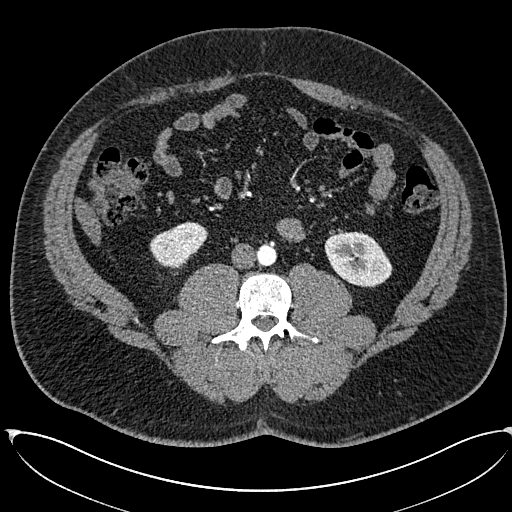
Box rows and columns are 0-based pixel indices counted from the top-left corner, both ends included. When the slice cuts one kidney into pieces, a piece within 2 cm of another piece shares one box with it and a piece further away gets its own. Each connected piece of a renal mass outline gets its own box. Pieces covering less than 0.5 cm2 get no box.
Arterial-phase contrast-enhanced abdominal CT, axial slice 257 of 673 (counted from the lowest slice); 1.00 mm thick, 0.855 mm per pixel. Two boxes on this slice (two kidney boxes), listed by box centre from the image's left to its right. (1) Box rows 221–268, columns 149–208: right kidney (outlined area 1,876 px, about 13.7 cm2). (2) Box rows 231–287, columns 324–392: left kidney (outlined area 2,808 px, about 20.5 cm2). No renal mass outline on this slice.
Tube voltage 120 kVp; convolution kernel I30f.